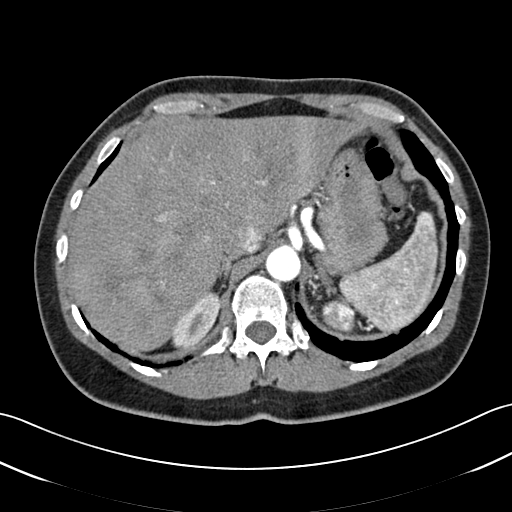
Axial slice 43 of 52 of a contrast-enhanced abdominal CT in the arterial phase (slice 1 is the lowest), 120 kVp, kernel B30f; 3.00 mm slice thickness and 0.678 mm pixels.
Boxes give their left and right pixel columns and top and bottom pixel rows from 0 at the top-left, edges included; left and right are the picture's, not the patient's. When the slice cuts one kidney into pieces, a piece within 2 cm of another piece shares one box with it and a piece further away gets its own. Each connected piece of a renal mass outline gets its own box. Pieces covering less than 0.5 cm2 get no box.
One kidney box and one renal mass box on this slice; by box centre, from the image's left to its right: (1) Right kidney, the box with left 171, top 291, right 219, bottom 347 (outlined area 1,682 px, about 7.7 cm2). (2) Box with left 321, top 300, right 354, bottom 332: left renal mass (outlined area 860 px, about 4.0 cm2); on this slice it lies more than 1 cm from any kidney outline, but the same outlined renal mass comes within 1 cm of the kidney on another slice.